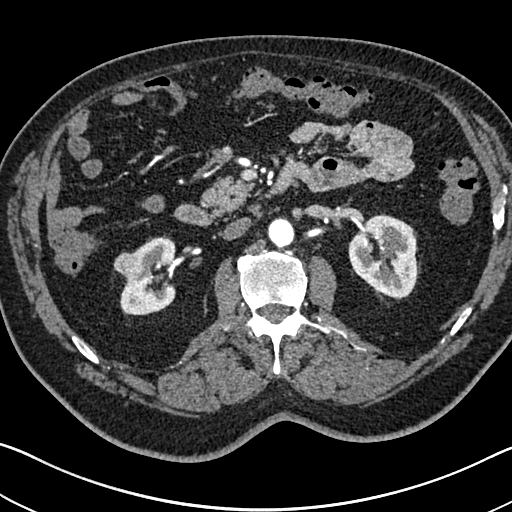
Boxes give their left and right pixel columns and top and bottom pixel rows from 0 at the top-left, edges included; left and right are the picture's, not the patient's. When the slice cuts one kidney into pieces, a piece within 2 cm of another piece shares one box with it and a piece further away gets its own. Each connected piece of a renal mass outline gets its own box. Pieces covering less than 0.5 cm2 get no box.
Arterial-phase contrast-enhanced abdominal CT, axial slice 416 of 705 (counted from the lowest slice); 1.00 mm thick, 0.703 mm per pixel. Three boxes on this slice (two kidney boxes and one renal mass box), listed by box centre from the image's left to its right. (1) Right renal mass in the box with left 113, top 252, right 144, bottom 279 (outlined area 644 px, about 3.2 cm2). (2) Right kidney, the box with left 120, top 235, right 176, bottom 315 (outlined area 3,060 px, about 15.1 cm2). (3) Left kidney in the box with left 348, top 214, right 420, bottom 298 (outlined area 4,510 px, about 22.3 cm2).
Tube voltage 120 kVp; convolution kernel I30f.